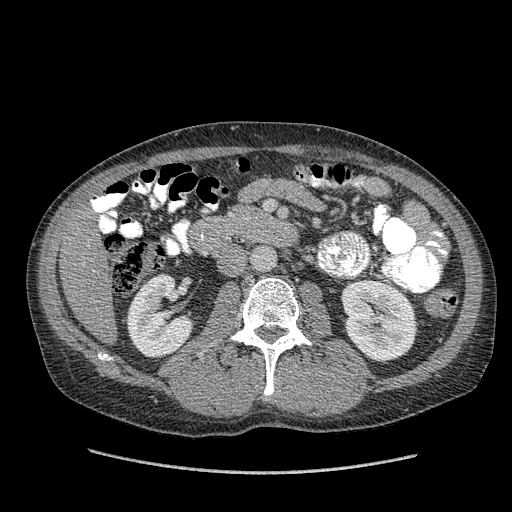
Abdominal CT with intravenous contrast, arterial phase, axial plane, 120 kVp, kernel STANDARD. Slice 196/349 from the bottom of the scan; thickness 1.25 mm; pixel size 0.742 mm.
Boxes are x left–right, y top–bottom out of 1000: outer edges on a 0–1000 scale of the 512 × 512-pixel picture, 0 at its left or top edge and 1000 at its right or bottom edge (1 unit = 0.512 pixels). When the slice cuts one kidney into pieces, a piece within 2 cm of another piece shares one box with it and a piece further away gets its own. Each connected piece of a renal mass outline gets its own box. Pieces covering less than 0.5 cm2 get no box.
Boxed on this slice (two kidney boxes), listed by box centre from the image's left to its right: (1) Box x 244–381, y 533–701 out of 1000: right kidney (outlined area 4,126 px, about 22.7 cm2). (2) Left kidney, box x 666–816, y 543–709 out of 1000 (outlined area 5,004 px, about 27.6 cm2). This slice carries no renal mass outline.